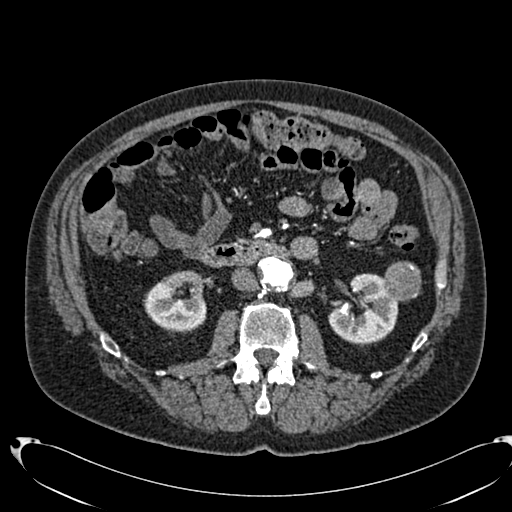
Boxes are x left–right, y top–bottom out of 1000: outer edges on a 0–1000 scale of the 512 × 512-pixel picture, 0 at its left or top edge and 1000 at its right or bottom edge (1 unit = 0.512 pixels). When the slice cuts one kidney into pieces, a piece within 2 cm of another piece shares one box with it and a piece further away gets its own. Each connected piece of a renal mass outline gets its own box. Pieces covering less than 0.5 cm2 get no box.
This is axial slice 388 of 553 (slice 1 is the lowest) of an arterial-phase abdominal CT with contrast; each pixel is 0.773 mm and the slice is 1.00 mm thick. Three boxes on this slice (two kidney boxes and one renal mass box), listed by box centre from the image's left to its right. (1) Right kidney, box x 279–404, y 527–650 out of 1000 (outlined area 2,944 px, about 17.6 cm2). (2) Left kidney at x 641–779, y 533–678 out of 1000 (outlined area 3,444 px, about 20.6 cm2). (3) Left renal mass, box x 746–824, y 510–590 out of 1000 (outlined area 1,275 px, about 7.6 cm2).
Acquired at 120 kVp and reconstructed with the B20f kernel.